Axial slice 381 of 673 of a contrast-enhanced abdominal CT in the arterial phase (slice 1 is the lowest), 120 kVp, kernel I30f; 1.00 mm slice thickness and 0.855 mm pixels.
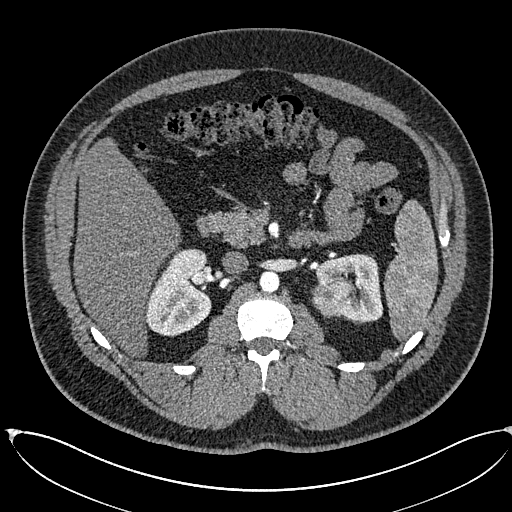
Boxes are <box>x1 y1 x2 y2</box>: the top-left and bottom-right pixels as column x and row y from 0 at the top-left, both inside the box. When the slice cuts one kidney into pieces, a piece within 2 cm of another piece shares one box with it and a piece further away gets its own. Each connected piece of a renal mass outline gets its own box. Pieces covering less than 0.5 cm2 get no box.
Boxed on this slice (two kidney boxes and one renal mass box), listed by box centre from the image's left to its right: (1) Right kidney at <box>146 248 211 336</box> (outlined area 4,331 px, about 31.7 cm2). (2) Left renal mass at <box>311 276 355 317</box> (outlined area 1,516 px, about 11.1 cm2). (3) Left kidney at <box>315 253 383 322</box> (outlined area 2,467 px, about 18.1 cm2).